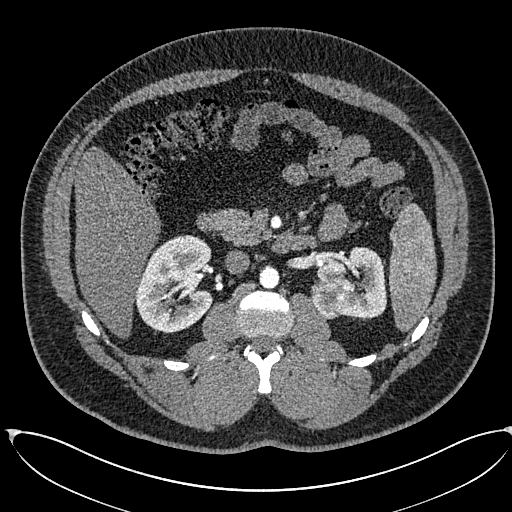
Axial slice 363 of 673 of a contrast-enhanced abdominal CT in the arterial phase (slice 1 is the lowest), 120 kVp, kernel I30f; 1.00 mm slice thickness and 0.855 mm pixels.
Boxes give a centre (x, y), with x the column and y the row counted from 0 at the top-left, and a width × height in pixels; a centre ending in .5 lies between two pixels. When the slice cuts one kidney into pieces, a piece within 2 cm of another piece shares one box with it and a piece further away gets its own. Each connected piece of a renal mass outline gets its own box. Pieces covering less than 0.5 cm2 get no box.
Boxed on this slice (two kidney boxes and one renal mass box), listed by box centre from the image's left to its right: (1) Right kidney, box centre (173.5, 284), 80 × 99 pixels (outlined area 5,784 px, about 42.3 cm2). (2) Left renal mass, box centre (330.5, 299), 42 × 41 pixels (outlined area 1,363 px, about 10.0 cm2). (3) Left kidney in a box with centre (351.5, 282), 70 × 73 pixels (outlined area 3,006 px, about 22.0 cm2).